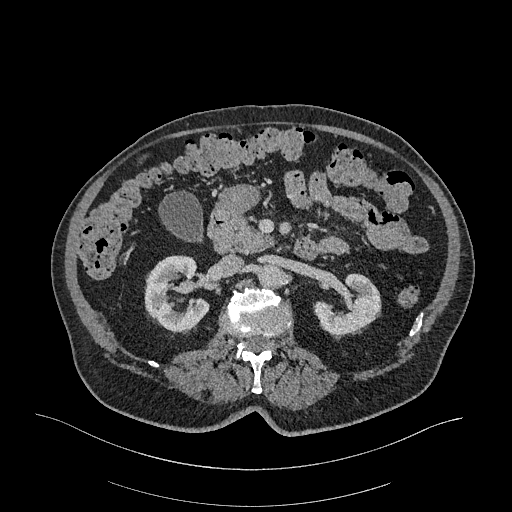
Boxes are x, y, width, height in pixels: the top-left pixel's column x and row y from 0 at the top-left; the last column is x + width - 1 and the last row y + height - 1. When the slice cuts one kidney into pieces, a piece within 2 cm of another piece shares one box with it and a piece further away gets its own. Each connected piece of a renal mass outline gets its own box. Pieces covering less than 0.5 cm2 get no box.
Slice 178/470 of a contrast-enhanced abdominal CT in the arterial phase, counting up from the lowest; pixel size 0.938 mm, slice thickness 1.00 mm. Two kidney boxes on this slice; by box centre, from the image's left to its right: (1) Right kidney, box x 144, y 255, width 67, height 79 (outlined area 3,592 px, about 31.6 cm2). (2) Left kidney at x 313, y 273, width 69, height 63 (outlined area 2,766 px, about 24.3 cm2). No renal mass is outlined on this slice.
Acquired at 120 kVp and reconstructed with the I26f kernel.